Arterial-phase contrast-enhanced abdominal CT, axial slice 32 of 79 (counted from the lowest slice); tube voltage 120 kVp, convolution kernel FC11; slices 5.00 mm thick, 0.686 mm per pixel.
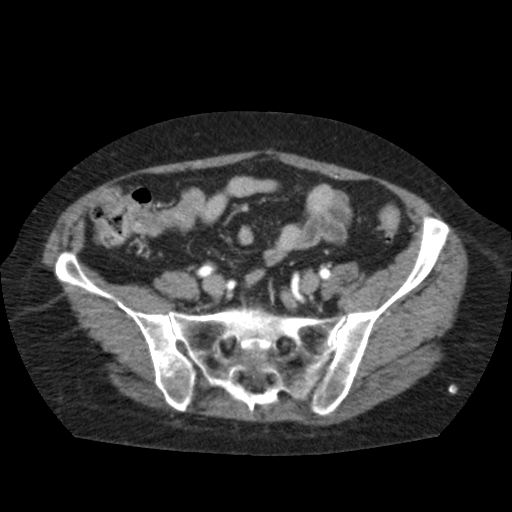
This slice carries no outline: it lies beyond the outlined kidneys and beyond every outlined renal mass. Other organs are not outlined in this scan.